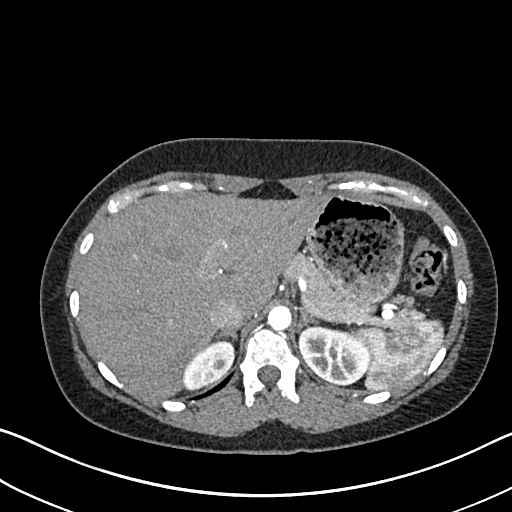
One axial slice (531 of 612, counting up from the lowest) of an arterial-phase abdominal CT acquired with 120 kVp, kernel I30f; each pixel is 0.703 mm and the slice is 1.00 mm thick.
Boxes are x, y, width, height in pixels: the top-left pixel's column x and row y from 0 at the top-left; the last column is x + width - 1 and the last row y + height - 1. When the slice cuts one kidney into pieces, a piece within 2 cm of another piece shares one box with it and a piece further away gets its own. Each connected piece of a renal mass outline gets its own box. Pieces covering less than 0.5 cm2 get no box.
Two kidney boxes on this slice; by box centre, from the image's left to its right: (1) Right kidney, box x 181, y 339, width 54, height 52 (outlined area 1,761 px, about 8.7 cm2). (2) Left kidney at x 298, y 323, width 72, height 62 (outlined area 3,255 px, about 16.1 cm2). No renal mass is outlined on this slice.